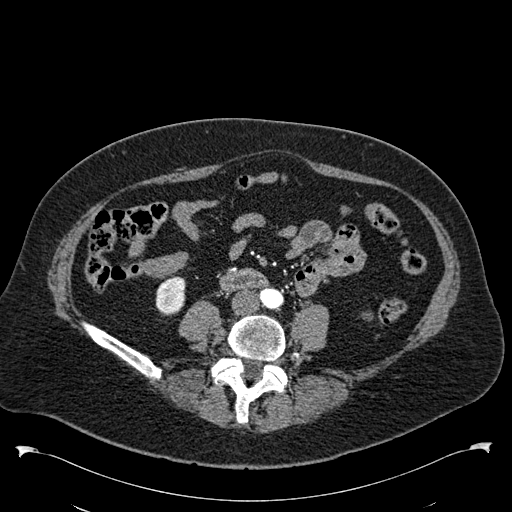
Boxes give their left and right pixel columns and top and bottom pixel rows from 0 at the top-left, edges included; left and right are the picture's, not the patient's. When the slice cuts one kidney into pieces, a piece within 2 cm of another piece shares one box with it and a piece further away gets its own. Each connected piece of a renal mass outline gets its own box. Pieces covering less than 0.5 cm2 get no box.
Arterial-phase contrast-enhanced abdominal CT, axial slice 203 of 538 (counted from the lowest slice); 1.00 mm thick, 0.811 mm per pixel. Right kidney, the box with left 155, top 276, right 185, bottom 315 (outlined area 984 px, about 6.5 cm2).
Scan settings: 120 kVp, B30f reconstruction kernel.